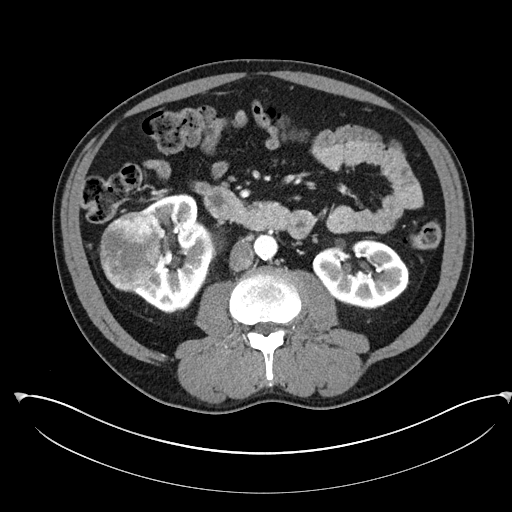
Axial slice 128 of 302 of a contrast-enhanced abdominal CT in the arterial phase (slice 1 is the lowest), 100 kVp, kernel I30f; 5.00 mm slice thickness and 0.875 mm pixels.
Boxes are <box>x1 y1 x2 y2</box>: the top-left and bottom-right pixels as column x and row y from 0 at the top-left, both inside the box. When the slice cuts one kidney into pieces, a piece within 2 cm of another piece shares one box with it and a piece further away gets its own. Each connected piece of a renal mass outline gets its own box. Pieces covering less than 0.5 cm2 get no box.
Boxed on this slice (two kidney boxes and one renal mass box), listed by box centre from the image's left to its right: (1) Right renal mass at <box>99 211 159 292</box> (outlined area 3,697 px, about 28.3 cm2). (2) Right kidney at <box>133 193 214 313</box> (outlined area 6,007 px, about 46.0 cm2). (3) Left kidney at <box>312 237 409 309</box> (outlined area 4,871 px, about 37.3 cm2).